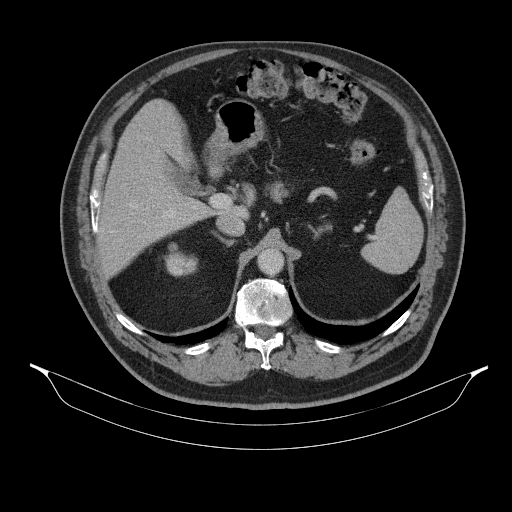
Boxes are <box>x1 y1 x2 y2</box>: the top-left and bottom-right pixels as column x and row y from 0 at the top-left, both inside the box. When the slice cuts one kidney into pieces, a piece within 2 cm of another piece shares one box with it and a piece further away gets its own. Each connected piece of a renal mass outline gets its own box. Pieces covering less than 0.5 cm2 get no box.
Contrast-enhanced abdominal CT, axial slice 236 of 314 (counted from the lowest slice); 2.50 mm thick, 0.934 mm per pixel. Right kidney at <box>164 242 197 276</box> (outlined area 760 px, about 6.6 cm2). This slice carries no renal mass outline.
Acquired at 130 kVp and reconstructed with the B31s kernel.